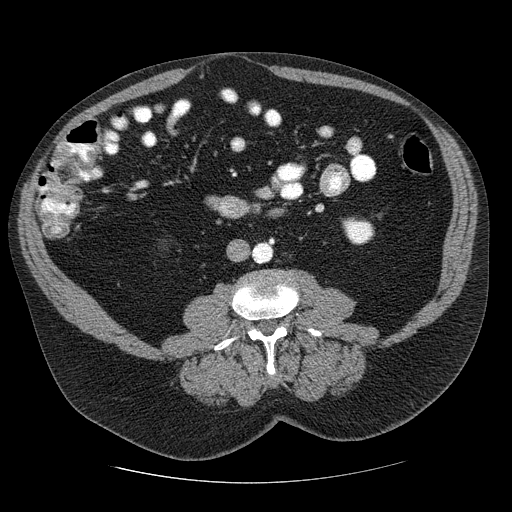
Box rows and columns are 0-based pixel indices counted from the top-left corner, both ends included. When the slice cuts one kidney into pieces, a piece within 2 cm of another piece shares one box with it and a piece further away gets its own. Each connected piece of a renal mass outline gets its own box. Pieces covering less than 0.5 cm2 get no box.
This is axial slice 108 of 206 (slice 1 is the lowest) of an abdominal CT with contrast; each pixel is 0.879 mm and the slice is 2.50 mm thick. Box rows 216–244, columns 341–374: left kidney (outlined area 721 px, about 5.6 cm2). This slice carries no renal mass outline.
Tube voltage 120 kVp; convolution kernel STANDARD.